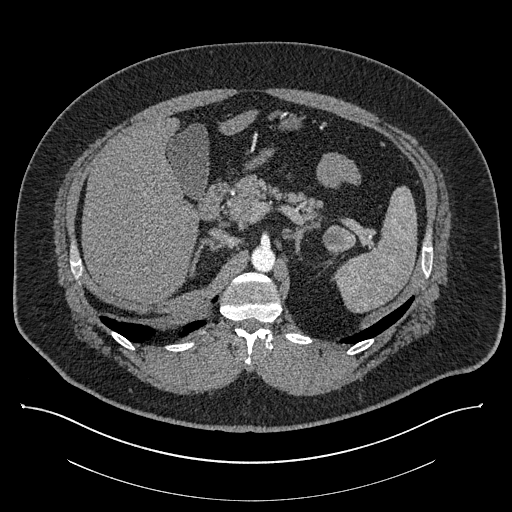
One axial slice (574 of 787, counting up from the lowest) of a contrast-enhanced abdominal CT acquired with 140 kVp, kernel I30f; each pixel is 0.910 mm and the slice is 1.00 mm thick.
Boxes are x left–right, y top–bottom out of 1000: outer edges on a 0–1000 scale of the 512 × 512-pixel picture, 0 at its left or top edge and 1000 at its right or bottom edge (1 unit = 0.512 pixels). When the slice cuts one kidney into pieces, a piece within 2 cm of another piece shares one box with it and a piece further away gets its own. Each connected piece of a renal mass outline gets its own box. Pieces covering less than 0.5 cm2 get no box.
Left renal mass, box x 629–695, y 439–500 out of 1000 (outlined area 730 px, about 6.0 cm2); this slice has no kidney outline, though on another slice the same outlined renal mass lies within 1 cm of the kidney.